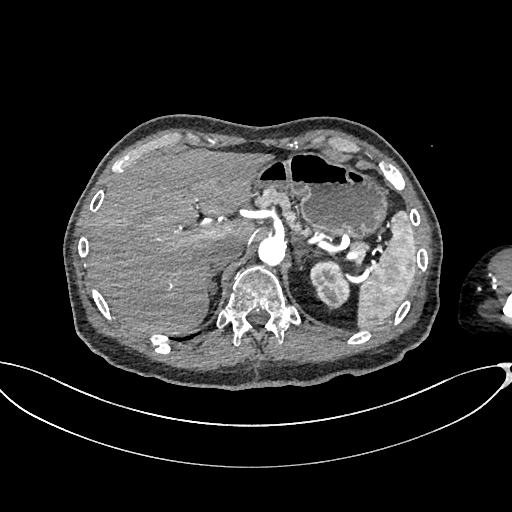
Arterial-phase contrast-enhanced abdominal CT, axial slice 506 of 665 (counted from the lowest slice); tube voltage 100 kVp, convolution kernel I26f; slices 1.00 mm thick, 0.828 mm per pixel.
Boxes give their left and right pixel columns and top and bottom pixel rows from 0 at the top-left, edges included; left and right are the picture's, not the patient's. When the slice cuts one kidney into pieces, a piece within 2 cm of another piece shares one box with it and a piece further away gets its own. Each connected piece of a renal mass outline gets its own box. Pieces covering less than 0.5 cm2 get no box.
Left kidney in the box with left 309, top 259, right 350, bottom 310 (outlined area 1,506 px, about 10.3 cm2). No renal mass is outlined on this slice.